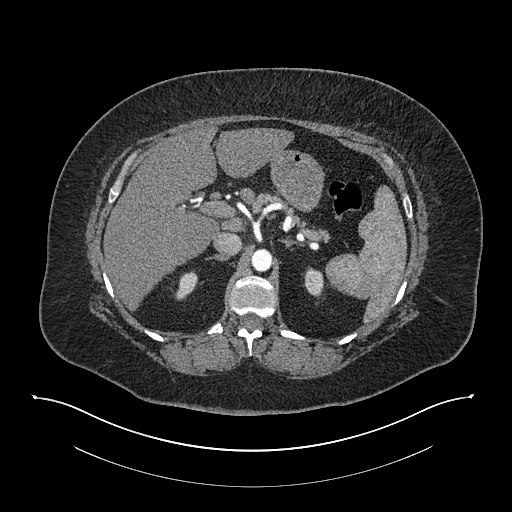
Axial slice 570 of 673 of a contrast-enhanced abdominal CT in the arterial phase (slice 1 is the lowest), 140 kVp, kernel I30f; 1.00 mm slice thickness and 0.957 mm pixels.
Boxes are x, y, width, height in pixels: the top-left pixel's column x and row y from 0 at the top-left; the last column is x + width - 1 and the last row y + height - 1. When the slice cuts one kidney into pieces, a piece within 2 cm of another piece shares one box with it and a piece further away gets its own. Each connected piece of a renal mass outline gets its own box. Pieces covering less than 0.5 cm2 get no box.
Two kidney boxes on this slice; by box centre, from the image's left to its right: (1) Right kidney at x 174, y 271, width 24, height 30 (outlined area 439 px, about 4.0 cm2). (2) Box x 304, y 267, width 20, height 31: left kidney (outlined area 468 px, about 4.3 cm2). No renal mass outline on this slice.